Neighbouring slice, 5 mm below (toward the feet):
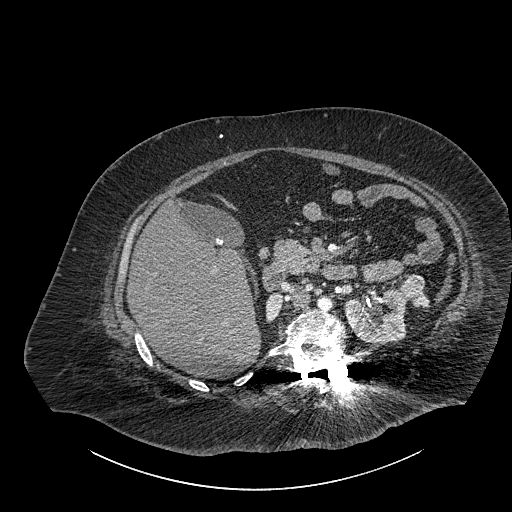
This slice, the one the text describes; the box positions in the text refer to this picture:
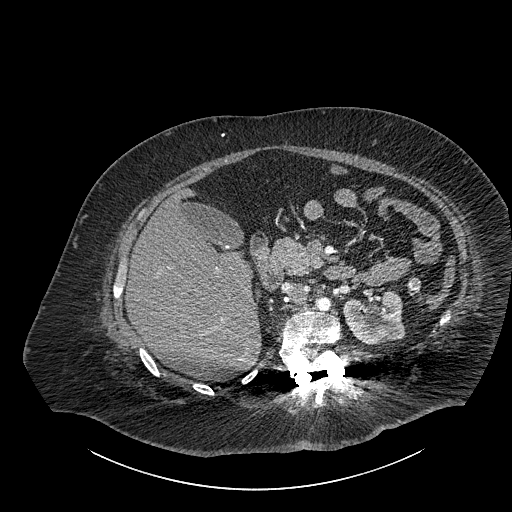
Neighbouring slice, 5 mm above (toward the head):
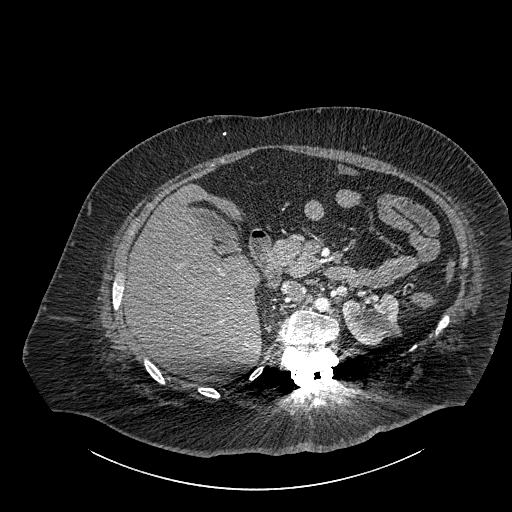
Axial slice 578 of 834 of a contrast-enhanced abdominal CT (slice 1 is the lowest), 140 kVp, kernel I30f; 1.00 mm slice thickness and 0.977 mm pixels.
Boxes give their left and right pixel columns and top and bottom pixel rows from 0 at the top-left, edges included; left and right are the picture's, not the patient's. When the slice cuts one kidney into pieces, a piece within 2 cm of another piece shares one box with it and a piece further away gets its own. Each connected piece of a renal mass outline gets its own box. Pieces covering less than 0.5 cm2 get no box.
Boxed on this slice (one kidney box and one renal mass box), listed by box centre from the image's left to its right: (1) Box with left 342, top 289, right 405, bottom 344: left part of the midline-crossing kidney (outlined area 2,606 px, about 24.9 cm2). (2) Renal mass, the box with left 406, top 276, right 420, bottom 292 (outlined area 188 px, about 1.8 cm2); here it is more than 1 cm from any kidney outline, though on another slice the same outlined renal mass lies within 1 cm of the kidney. This slice lies near the end of a renal mass toward the head; the slices 5 mm below and 5 mm above it are shown too, and the boxes mark positions on this slice only.